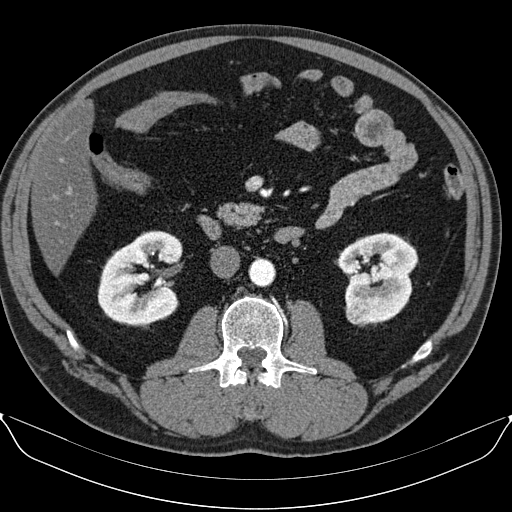
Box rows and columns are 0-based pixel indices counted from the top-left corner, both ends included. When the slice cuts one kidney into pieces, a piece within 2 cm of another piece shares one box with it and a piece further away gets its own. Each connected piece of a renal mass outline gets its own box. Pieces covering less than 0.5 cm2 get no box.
Arterial-phase contrast-enhanced abdominal CT, axial slice 44 of 96 (counted from the lowest slice); 3.00 mm thick, 0.781 mm per pixel. Two kidney boxes and one renal mass box on this slice; by box centre, from the image's left to its right: (1) Right kidney, box rows 230–328, columns 97–182 (outlined area 5,983 px, about 36.5 cm2). (2) Box rows 299–324, columns 344–371: left renal mass (outlined area 537 px, about 3.3 cm2). (3) Left kidney at rows 232–323, columns 336–418 (outlined area 5,028 px, about 30.7 cm2).
Scan settings: 130 kVp, B30s reconstruction kernel.